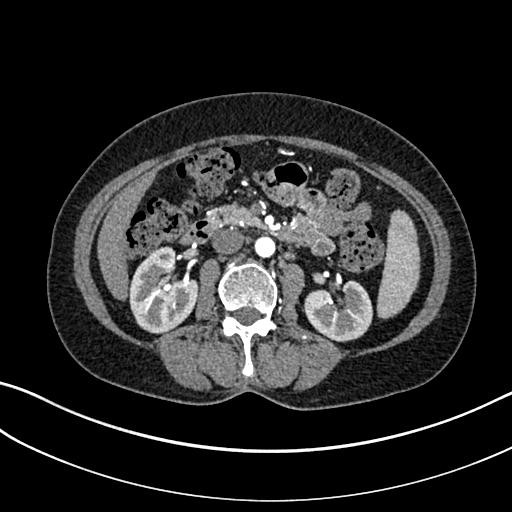
Axial slice 150 of 325 of a contrast-enhanced abdominal CT in the arterial phase (slice 1 is the lowest), 100 kVp, kernel I30f; 1.00 mm slice thickness and 0.703 mm pixels.
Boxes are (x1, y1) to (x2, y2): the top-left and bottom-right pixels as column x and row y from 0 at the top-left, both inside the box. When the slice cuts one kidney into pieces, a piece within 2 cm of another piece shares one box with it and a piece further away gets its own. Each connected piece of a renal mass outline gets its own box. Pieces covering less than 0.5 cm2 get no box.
Two kidney boxes on this slice; by box centre, from the image's left to its right: (1) Right kidney, box (128, 246) to (198, 334) (outlined area 4,325 px, about 21.4 cm2). (2) Box (303, 279) to (372, 341): left kidney (outlined area 3,166 px, about 15.7 cm2). No renal mass is outlined on this slice.